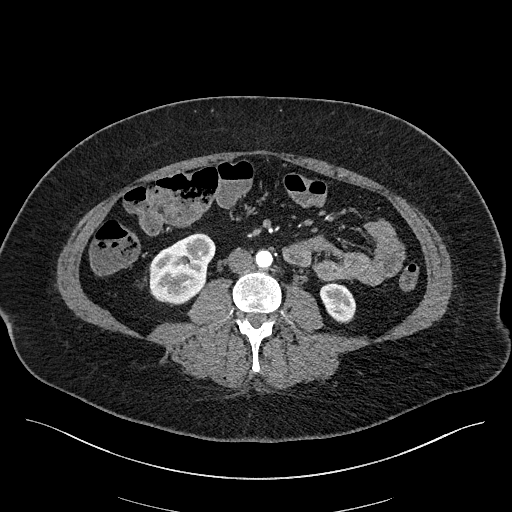
Axial slice 65 of 270 of a contrast-enhanced abdominal CT in the arterial phase (slice 1 is the lowest), 100 kVp, kernel I40f; 2.00 mm slice thickness and 0.855 mm pixels.
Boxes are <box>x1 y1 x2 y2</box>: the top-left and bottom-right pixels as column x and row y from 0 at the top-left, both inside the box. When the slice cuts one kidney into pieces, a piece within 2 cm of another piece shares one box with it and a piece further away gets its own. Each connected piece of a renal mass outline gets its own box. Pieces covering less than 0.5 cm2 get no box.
Two kidney boxes on this slice; by box centre, from the image's left to its right: (1) Right kidney: <box>149 233 215 303</box> (outlined area 3,372 px, about 24.7 cm2). (2) Left kidney: <box>319 283 356 323</box> (outlined area 1,094 px, about 8.0 cm2).